Axial slice 364 of 738 of a contrast-enhanced abdominal CT in the arterial phase (slice 1 is the lowest), 120 kVp, kernel I30f; 1.00 mm slice thickness and 0.789 mm pixels.
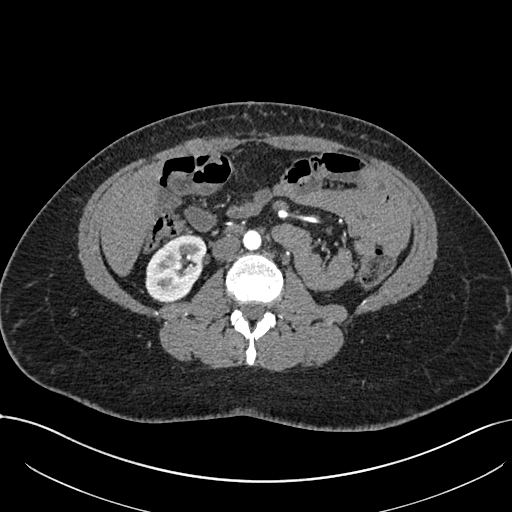
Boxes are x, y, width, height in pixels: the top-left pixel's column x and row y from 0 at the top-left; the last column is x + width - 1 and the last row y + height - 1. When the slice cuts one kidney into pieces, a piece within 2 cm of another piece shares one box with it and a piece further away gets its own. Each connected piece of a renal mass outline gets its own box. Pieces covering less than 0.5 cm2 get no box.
Right kidney, box x 145, y 234, width 62, height 68 (outlined area 3,060 px, about 19.1 cm2). No renal mass is outlined on this slice.